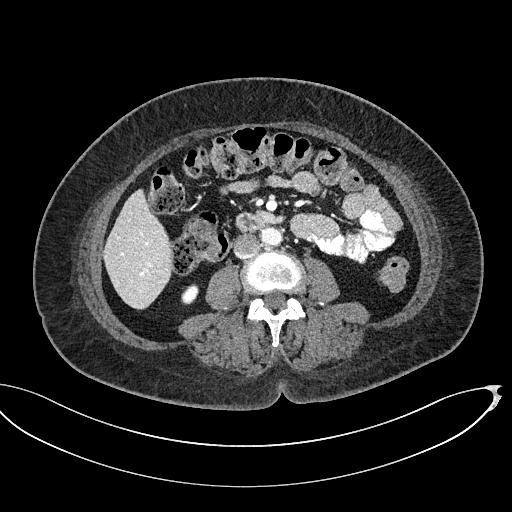
Axial slice 254 of 439 of a contrast-enhanced abdominal CT (slice 1 is the lowest), 100 kVp, kernel I40f; 2.00 mm slice thickness and 0.850 mm pixels.
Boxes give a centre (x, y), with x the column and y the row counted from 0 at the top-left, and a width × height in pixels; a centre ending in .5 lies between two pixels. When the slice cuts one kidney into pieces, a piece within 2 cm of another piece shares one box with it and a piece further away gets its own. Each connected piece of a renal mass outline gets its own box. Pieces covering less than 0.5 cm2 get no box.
Box centre (189.5, 294), 18 × 21 pixels: right kidney (outlined area 277 px, about 2.0 cm2). This slice carries no renal mass outline.